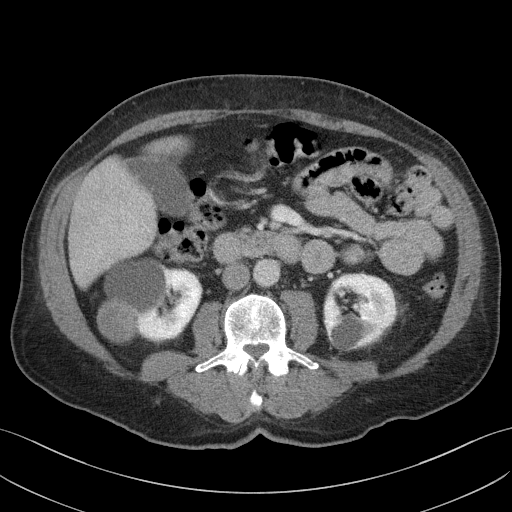
One axial slice (63 of 103, counting up from the lowest) of a contrast-enhanced abdominal CT acquired with 100 kVp, kernel I41f; each pixel is 0.742 mm and the slice is 4.00 mm thick.
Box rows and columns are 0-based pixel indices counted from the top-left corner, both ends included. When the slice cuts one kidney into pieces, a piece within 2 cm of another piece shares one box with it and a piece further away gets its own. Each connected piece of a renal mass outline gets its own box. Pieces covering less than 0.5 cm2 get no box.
Boxed on this slice (two kidney boxes), listed by box centre from the image's left to its right: (1) Right kidney at rows 258–344, columns 96–203 (outlined area 7,065 px, about 38.9 cm2). (2) Left kidney, box rows 273–350, columns 323–396 (outlined area 4,540 px, about 25.0 cm2). No renal mass is outlined on this slice.